One axial slice (66 of 140, counting up from the lowest) of an arterial-phase abdominal CT acquired with 120 kVp, kernel B31f; each pixel is 0.754 mm and the slice is 5.00 mm thick.
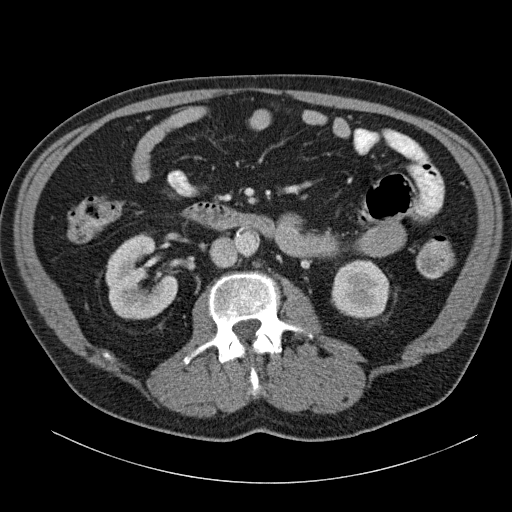
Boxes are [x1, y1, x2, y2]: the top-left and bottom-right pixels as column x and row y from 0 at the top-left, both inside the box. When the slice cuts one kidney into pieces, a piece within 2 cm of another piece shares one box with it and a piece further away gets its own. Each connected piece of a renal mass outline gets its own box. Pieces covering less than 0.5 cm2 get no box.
Two kidney boxes on this slice; by box centre, from the image's left to its right: (1) Right kidney, box [105, 232, 177, 319] (outlined area 4,343 px, about 24.7 cm2). (2) Left kidney at [331, 259, 389, 319] (outlined area 2,807 px, about 16.0 cm2). No renal mass outline on this slice.